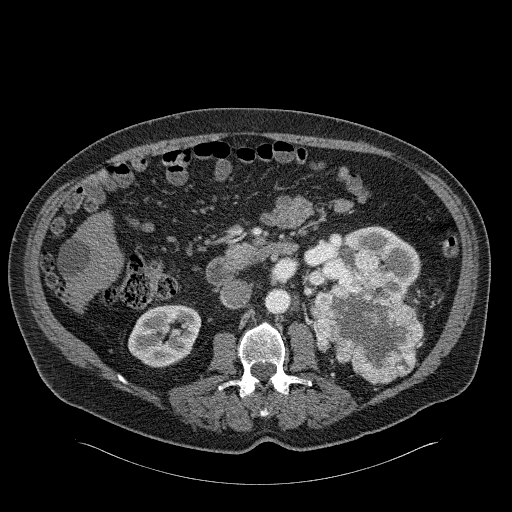
One axial slice (115 of 326, counting up from the lowest) of an arterial-phase abdominal CT acquired with 120 kVp, kernel B31f; each pixel is 0.963 mm and the slice is 2.00 mm thick.
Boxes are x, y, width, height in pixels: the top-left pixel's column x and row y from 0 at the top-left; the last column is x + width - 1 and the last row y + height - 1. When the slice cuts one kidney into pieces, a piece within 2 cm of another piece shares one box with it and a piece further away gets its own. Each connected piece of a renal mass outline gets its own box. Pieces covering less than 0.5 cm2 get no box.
Two kidney boxes and one renal mass box on this slice; by box centre, from the image's left to its right: (1) Right kidney at x 128, y 304, width 74, height 64 (outlined area 3,483 px, about 32.3 cm2). (2) Left renal mass at x 311, y 246, width 113, height 138 (outlined area 9,126 px, about 84.6 cm2). (3) Left kidney, box x 315, y 225, width 106, height 76 (outlined area 3,683 px, about 34.1 cm2).